Axial slice 187 of 314 of a contrast-enhanced abdominal CT (slice 1 is the lowest), 130 kVp, kernel B31s; 2.50 mm slice thickness and 0.934 mm pixels.
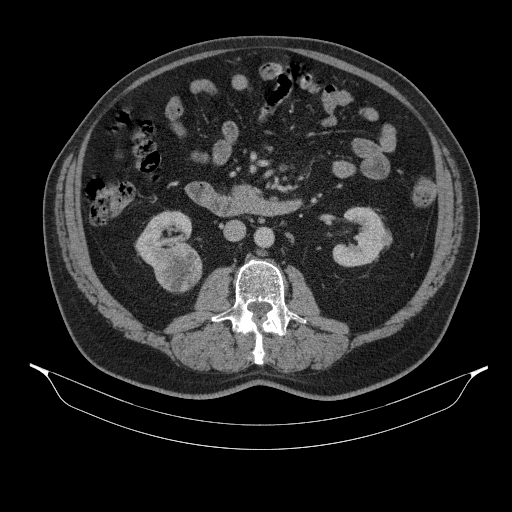
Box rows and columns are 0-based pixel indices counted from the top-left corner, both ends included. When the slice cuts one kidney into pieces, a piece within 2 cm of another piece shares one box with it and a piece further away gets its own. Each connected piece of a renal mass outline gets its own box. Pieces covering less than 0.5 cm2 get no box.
Three boxes on this slice (two kidney boxes and one renal mass box), listed by box centre from the image's left to its right. (1) Right kidney, box rows 210–269, columns 134–192 (outlined area 1,887 px, about 16.4 cm2). (2) Right renal mass at rows 242–292, columns 154–202 (outlined area 1,887 px, about 16.4 cm2). (3) Left kidney at rows 206–266, columns 332–392 (outlined area 2,220 px, about 19.3 cm2).